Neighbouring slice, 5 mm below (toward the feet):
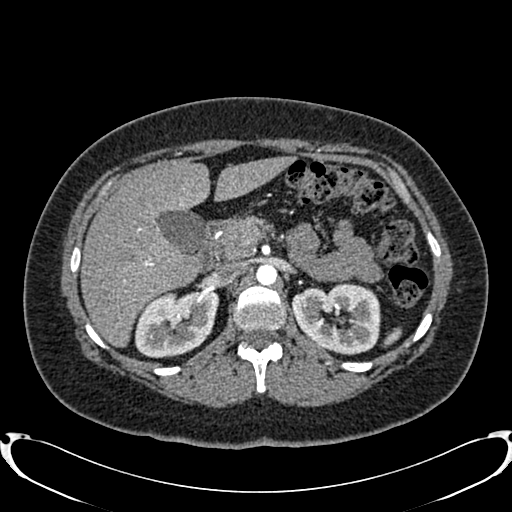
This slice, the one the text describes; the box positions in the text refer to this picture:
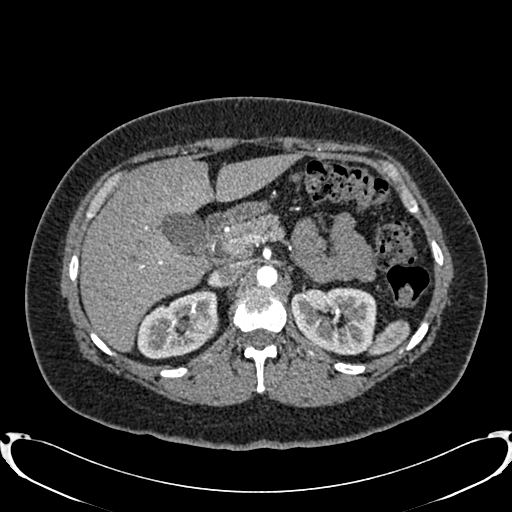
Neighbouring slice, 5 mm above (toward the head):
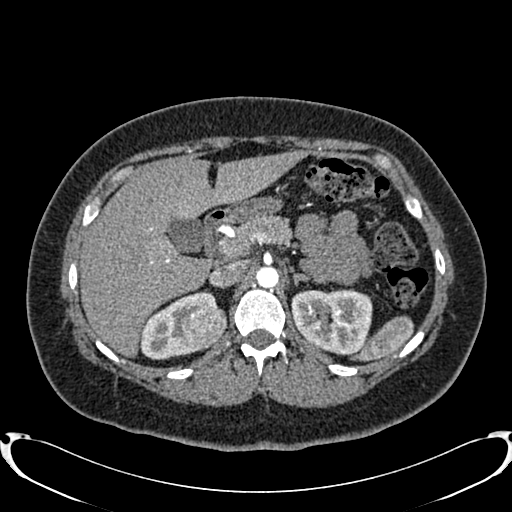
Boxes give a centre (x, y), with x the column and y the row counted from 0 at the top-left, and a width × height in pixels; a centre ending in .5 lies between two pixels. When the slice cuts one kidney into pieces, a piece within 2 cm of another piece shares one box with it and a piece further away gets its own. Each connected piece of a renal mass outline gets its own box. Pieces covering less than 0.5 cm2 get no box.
Slice 542/719 of a contrast-enhanced abdominal CT in the arterial phase, counting up from the lowest; pixel size 0.766 mm, slice thickness 1.00 mm. Boxed on this slice (two kidney boxes and one renal mass box), listed by box centre from the image's left to its right: (1) Right kidney in a box with centre (176, 323.5), 83 × 72 pixels (outlined area 3,667 px, about 21.5 cm2). (2) Box centre (205.5, 326.5), 26 × 24 pixels: right renal mass (outlined area 503 px, about 2.9 cm2). (3) Left kidney, box centre (333, 321), 87 × 69 pixels (outlined area 4,638 px, about 27.2 cm2). This slice is near the end of the right renal mass toward the feet, so the slices 5 mm below and 5 mm above it are shown as well; the boxes refer to this slice only.
Tube voltage 120 kVp; convolution kernel B20f.